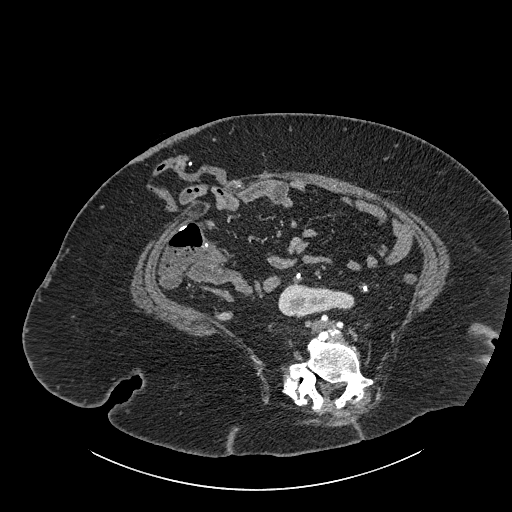
Axial slice 402 of 834 of a contrast-enhanced abdominal CT (slice 1 is the lowest), 140 kVp, kernel I30f; 1.00 mm slice thickness and 0.977 mm pixels.
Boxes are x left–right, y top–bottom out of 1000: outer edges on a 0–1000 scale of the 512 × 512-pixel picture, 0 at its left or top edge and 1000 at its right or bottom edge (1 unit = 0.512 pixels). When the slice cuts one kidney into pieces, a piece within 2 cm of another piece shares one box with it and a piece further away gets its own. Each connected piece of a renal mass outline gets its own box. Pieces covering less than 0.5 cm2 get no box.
Kidney crossing the body midline at x 543–693, y 555–623 out of 1000 (outlined area 1,889 px, about 18.0 cm2). This slice carries no renal mass outline.